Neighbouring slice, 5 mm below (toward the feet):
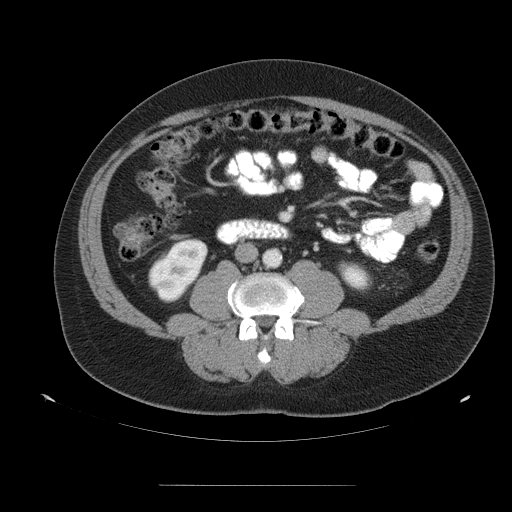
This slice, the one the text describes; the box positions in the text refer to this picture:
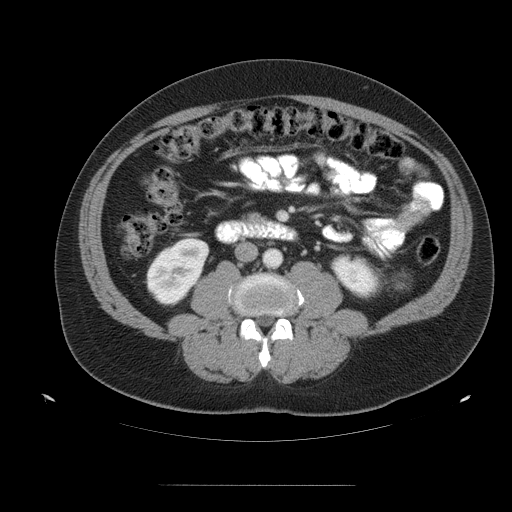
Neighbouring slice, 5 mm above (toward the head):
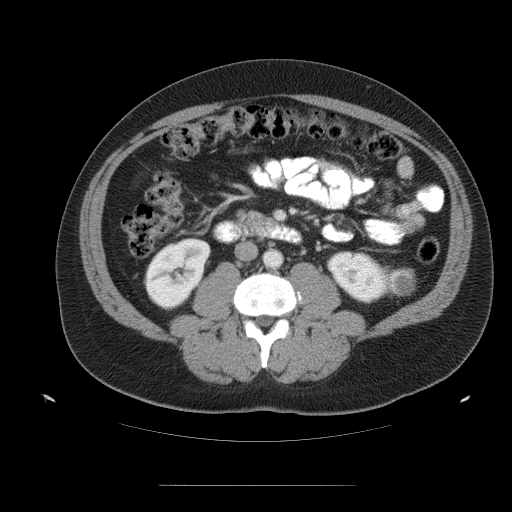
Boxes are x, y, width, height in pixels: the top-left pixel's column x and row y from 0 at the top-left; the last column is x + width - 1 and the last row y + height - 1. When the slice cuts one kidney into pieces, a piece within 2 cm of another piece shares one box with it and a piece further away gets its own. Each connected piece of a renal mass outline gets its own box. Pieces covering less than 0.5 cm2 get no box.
Contrast-enhanced abdominal CT, axial slice 59 of 99 (counted from the lowest slice); 5.00 mm thick, 0.938 mm per pixel. Three boxes on this slice (two kidney boxes and one renal mass box), listed by box centre from the image's left to its right. (1) Right kidney at x 144, y 237, width 66, height 70 (outlined area 3,041 px, about 26.7 cm2). (2) Left kidney at x 330, y 253, width 56, height 47 (outlined area 1,748 px, about 15.4 cm2). (3) Box x 391, y 270, width 19, height 20: left renal mass (outlined area 245 px, about 2.2 cm2). This slice lies near the end of the left renal mass toward the feet; the slices 5 mm below and 5 mm above it are shown too, and the boxes mark positions on this slice only.
Tube voltage 120 kVp; convolution kernel STANDARD.